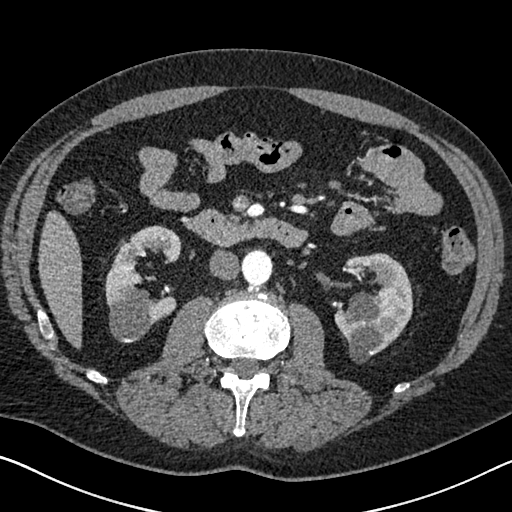
Abdominal CT with intravenous contrast, arterial phase, axial plane, 120 kVp, kernel I30f. Slice 356/626 from the bottom of the scan; thickness 1.00 mm; pixel size 0.703 mm.
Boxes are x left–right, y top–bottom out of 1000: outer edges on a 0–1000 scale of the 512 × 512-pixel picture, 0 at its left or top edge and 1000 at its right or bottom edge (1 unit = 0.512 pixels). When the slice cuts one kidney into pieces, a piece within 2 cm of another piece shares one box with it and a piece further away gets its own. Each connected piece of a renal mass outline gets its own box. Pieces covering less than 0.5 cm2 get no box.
Boxed on this slice (two kidney boxes), listed by box centre from the image's left to its right: (1) Box x 205–355, y 439–670 out of 1000: right kidney (outlined area 5,391 px, about 26.7 cm2). (2) Box x 652–807, y 494–711 out of 1000: left kidney (outlined area 5,683 px, about 28.1 cm2). No renal mass outline on this slice.